Contrast-enhanced abdominal CT, axial slice 59 of 75 (counted from the lowest slice); tube voltage 140 kVp, convolution kernel B30f; slices 3.00 mm thick, 0.875 mm per pixel.
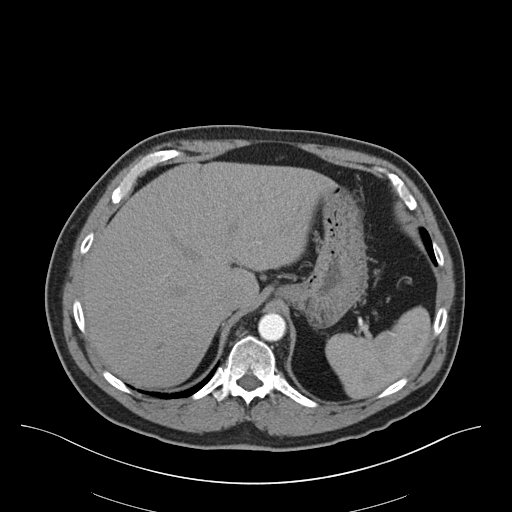
No kidney and no renal mass is outlined on this slice; the outlines in this scan cover only the kidneys and the renal masses, so nothing is said about any other organ.